Abdominal CT with intravenous contrast, axial plane, 130 kVp, kernel B31s. Slice 234/314 from the bottom of the scan; thickness 2.50 mm; pixel size 0.934 mm.
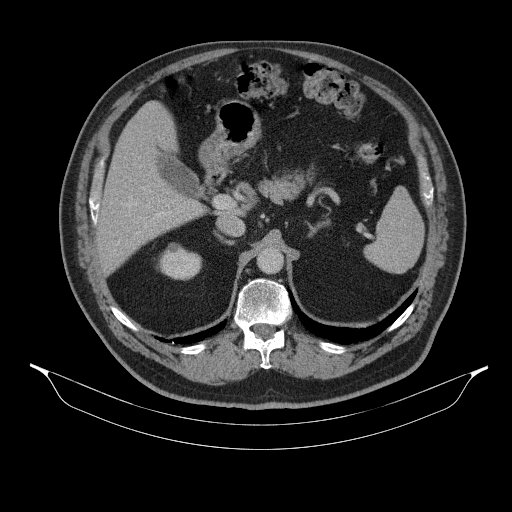
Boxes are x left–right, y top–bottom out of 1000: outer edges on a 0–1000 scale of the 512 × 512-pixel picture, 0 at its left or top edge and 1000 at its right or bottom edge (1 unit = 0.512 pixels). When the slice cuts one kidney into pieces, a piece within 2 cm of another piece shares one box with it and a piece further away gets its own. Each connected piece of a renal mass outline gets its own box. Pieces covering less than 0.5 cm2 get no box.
Right kidney at x 305–396, y 475–549 out of 1000 (outlined area 1,238 px, about 10.8 cm2). This slice carries no renal mass outline.